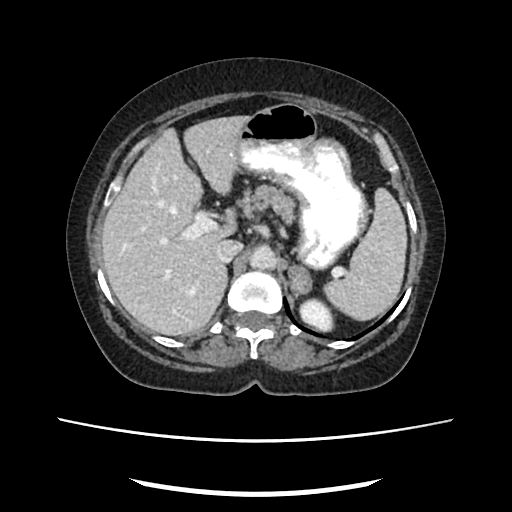
Abdominal CT with intravenous contrast, arterial phase, axial plane, 120 kVp, kernel FC18. Slice 161/207 from the bottom of the scan; thickness 2.00 mm; pixel size 0.741 mm.
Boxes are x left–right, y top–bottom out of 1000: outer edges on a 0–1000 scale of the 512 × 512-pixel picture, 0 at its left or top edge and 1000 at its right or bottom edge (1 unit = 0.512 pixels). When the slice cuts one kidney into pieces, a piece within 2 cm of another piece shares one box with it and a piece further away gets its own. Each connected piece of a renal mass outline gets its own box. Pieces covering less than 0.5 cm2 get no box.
Left kidney at x 582–654, y 582–650 out of 1000 (outlined area 931 px, about 5.1 cm2). No renal mass is outlined on this slice.